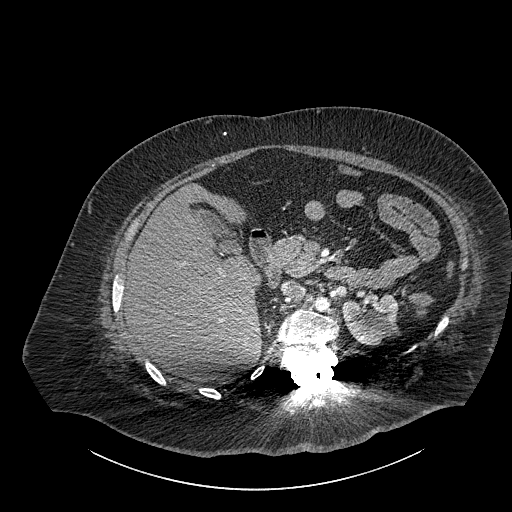
Abdominal CT with intravenous contrast, axial plane, 140 kVp, kernel I30f. Slice 590/834 from the bottom of the scan; thickness 1.00 mm; pixel size 0.977 mm.
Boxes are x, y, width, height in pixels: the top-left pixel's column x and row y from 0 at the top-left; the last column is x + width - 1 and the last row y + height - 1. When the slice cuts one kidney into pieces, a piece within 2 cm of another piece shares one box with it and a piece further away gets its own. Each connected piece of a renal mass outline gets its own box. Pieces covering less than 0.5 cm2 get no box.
Box x 342, y 293, width 57, height 53: left part of the midline-crossing kidney (outlined area 2,277 px, about 21.7 cm2). This slice carries no renal mass outline.